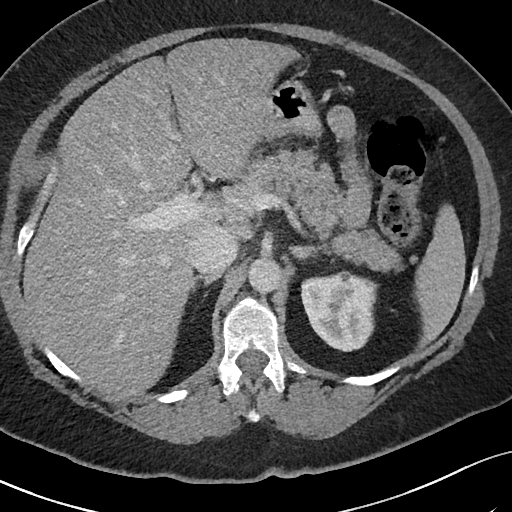
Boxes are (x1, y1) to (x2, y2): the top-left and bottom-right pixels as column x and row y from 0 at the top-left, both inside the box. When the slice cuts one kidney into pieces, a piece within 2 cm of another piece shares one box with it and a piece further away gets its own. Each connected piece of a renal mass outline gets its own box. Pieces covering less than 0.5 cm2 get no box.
This is axial slice 58 of 69 (slice 1 is the lowest) of an arterial-phase abdominal CT with contrast; each pixel is 0.664 mm and the slice is 3.00 mm thick. Box (301, 270) to (378, 351): left kidney (outlined area 4,787 px, about 21.1 cm2). No renal mass is outlined on this slice.
Tube voltage 120 kVp; convolution kernel I40f.